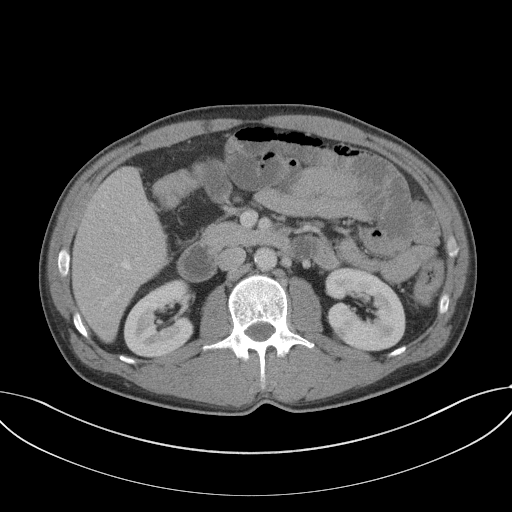
Abdominal CT with intravenous contrast, axial plane, 120 kVp, kernel B41f. Slice 65/102 from the bottom of the scan; thickness 5.00 mm; pixel size 0.807 mm.
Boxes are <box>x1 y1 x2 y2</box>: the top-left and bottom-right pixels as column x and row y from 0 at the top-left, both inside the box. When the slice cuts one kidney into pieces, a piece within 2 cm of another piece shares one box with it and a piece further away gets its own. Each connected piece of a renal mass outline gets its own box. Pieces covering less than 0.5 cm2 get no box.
Three boxes on this slice (two kidney boxes and one renal mass box), listed by box centre from the image's left to its right. (1) Right kidney: <box>123 279 194 358</box> (outlined area 4,059 px, about 26.4 cm2). (2) Left renal mass: <box>332 326 347 341</box> (outlined area 191 px, about 1.2 cm2). (3) Left kidney: <box>325 267 405 351</box> (outlined area 4,919 px, about 32.0 cm2).